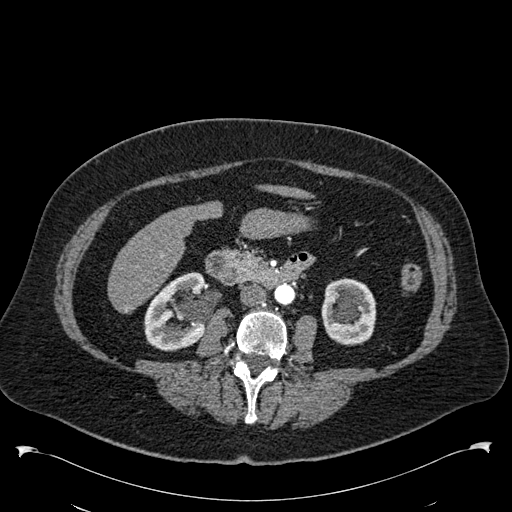
Axial slice 281 of 538 of a contrast-enhanced abdominal CT in the arterial phase (slice 1 is the lowest), 120 kVp, kernel B30f; 1.00 mm slice thickness and 0.811 mm pixels.
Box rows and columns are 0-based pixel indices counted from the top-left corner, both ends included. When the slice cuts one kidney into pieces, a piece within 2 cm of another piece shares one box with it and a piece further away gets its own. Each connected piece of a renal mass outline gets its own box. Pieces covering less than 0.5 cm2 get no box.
Two kidney boxes on this slice; by box centre, from the image's left to its right: (1) Box rows 272–351, columns 144–205: right kidney (outlined area 3,689 px, about 24.2 cm2). (2) Left kidney at rows 278–345, columns 321–376 (outlined area 3,046 px, about 20.0 cm2). This slice carries no renal mass outline.